Arterial-phase contrast-enhanced abdominal CT, axial slice 53 of 121 (counted from the lowest slice); tube voltage 120 kVp, convolution kernel STANDARD; slices 2.50 mm thick, 0.861 mm per pixel.
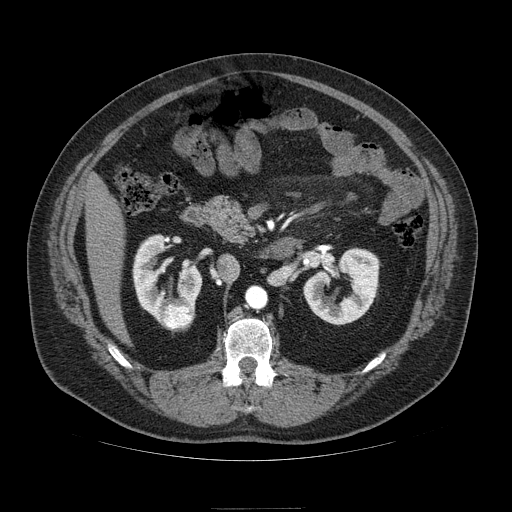
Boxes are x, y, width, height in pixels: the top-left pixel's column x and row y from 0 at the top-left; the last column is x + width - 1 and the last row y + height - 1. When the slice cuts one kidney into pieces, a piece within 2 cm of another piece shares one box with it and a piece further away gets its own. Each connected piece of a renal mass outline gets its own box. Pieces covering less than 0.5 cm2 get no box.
Three boxes on this slice (two kidney boxes and one renal mass box), listed by box centre from the image's left to its right. (1) Right kidney, box x 133, y 234, width 70, height 88 (outlined area 3,011 px, about 22.3 cm2). (2) Right renal mass, box x 158, y 297, width 37, height 35 (outlined area 1,002 px, about 7.4 cm2). (3) Left kidney, box x 303, y 248, width 77, height 77 (outlined area 3,763 px, about 27.9 cm2).